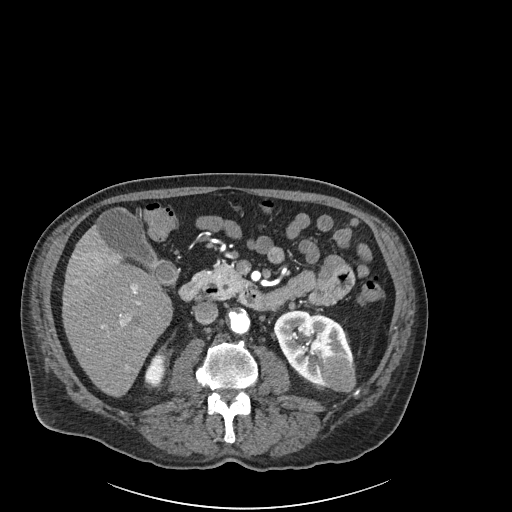
Abdominal CT with intravenous contrast, arterial phase, axial plane, 120 kVp, kernel I30f. Slice 98/261 from the bottom of the scan; thickness 2.00 mm; pixel size 0.939 mm.
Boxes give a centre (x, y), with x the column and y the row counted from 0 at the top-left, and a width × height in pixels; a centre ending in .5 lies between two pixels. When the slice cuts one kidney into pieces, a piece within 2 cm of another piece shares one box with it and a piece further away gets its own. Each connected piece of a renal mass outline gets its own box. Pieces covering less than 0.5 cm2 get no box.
Three boxes on this slice (two kidney boxes and one renal mass box), listed by box centre from the image's left to its right. (1) Box centre (154.5, 368.5), 22 × 34 pixels: right kidney (outlined area 503 px, about 4.4 cm2). (2) Box centre (313, 348.5), 81 × 78 pixels: left kidney (outlined area 3,618 px, about 31.9 cm2). (3) Left renal mass in a box with centre (337.5, 372), 36 × 39 pixels (outlined area 1,066 px, about 9.4 cm2).